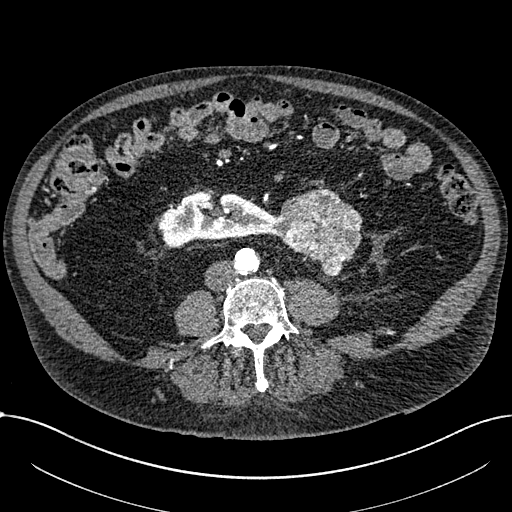
One axial slice (261 of 1059, counting up from the lowest) of an arterial-phase abdominal CT acquired with 100 kVp, kernel I30f; each pixel is 0.811 mm and the slice is 1.00 mm thick.
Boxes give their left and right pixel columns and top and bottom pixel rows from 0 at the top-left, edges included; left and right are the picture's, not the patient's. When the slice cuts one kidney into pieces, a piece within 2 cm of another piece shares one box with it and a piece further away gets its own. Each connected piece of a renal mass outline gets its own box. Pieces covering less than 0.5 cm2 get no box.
Two boxes on this slice (one kidney box and one renal mass box), listed by box centre from the image's left to its right. (1) Right part of the midline-crossing kidney in the box with left 158, top 191, right 275, bottom 247 (outlined area 4,490 px, about 29.5 cm2). (2) Renal mass, the box with left 274, top 187, right 362, bottom 276 (outlined area 5,215 px, about 34.3 cm2).